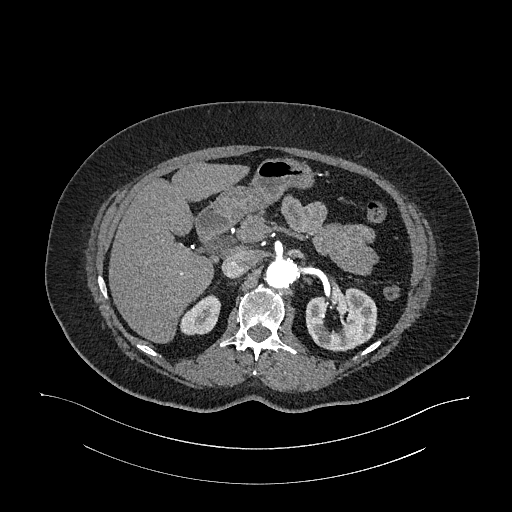
Arterial-phase contrast-enhanced abdominal CT, axial slice 719 of 987 (counted from the lowest slice); tube voltage 120 kVp, convolution kernel I26f; slices 1.00 mm thick, 0.977 mm per pixel.
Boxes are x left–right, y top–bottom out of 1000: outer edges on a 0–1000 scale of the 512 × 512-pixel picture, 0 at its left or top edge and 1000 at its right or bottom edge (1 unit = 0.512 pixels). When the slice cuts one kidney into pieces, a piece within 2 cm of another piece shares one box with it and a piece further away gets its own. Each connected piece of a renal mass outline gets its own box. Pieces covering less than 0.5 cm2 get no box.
Two kidney boxes on this slice; by box centre, from the image's left to its right: (1) Right kidney, box x 352–432, y 574–656 out of 1000 (outlined area 1,173 px, about 11.2 cm2). (2) Box x 596–738, y 561–688 out of 1000: left kidney (outlined area 3,422 px, about 32.6 cm2). No renal mass is outlined on this slice.